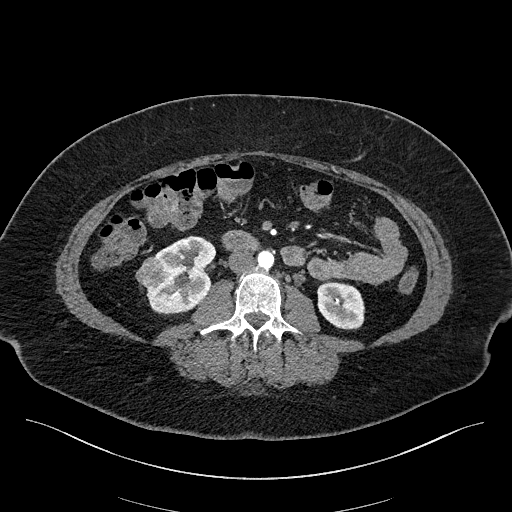
Abdominal CT with intravenous contrast, arterial phase, axial plane, 100 kVp, kernel I40f. Slice 75/270 from the bottom of the scan; thickness 2.00 mm; pixel size 0.855 mm.
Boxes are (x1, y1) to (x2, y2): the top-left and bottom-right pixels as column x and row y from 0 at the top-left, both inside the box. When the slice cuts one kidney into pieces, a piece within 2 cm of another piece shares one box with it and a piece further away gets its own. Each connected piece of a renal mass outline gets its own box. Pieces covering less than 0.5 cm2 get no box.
Three boxes on this slice (two kidney boxes and one renal mass box), listed by box centre from the image's left to its right. (1) Right renal mass, box (135, 257) to (168, 287) (outlined area 706 px, about 5.2 cm2). (2) Box (146, 235) to (215, 314): right kidney (outlined area 3,673 px, about 26.9 cm2). (3) Left kidney, box (317, 281) to (364, 329) (outlined area 1,879 px, about 13.8 cm2).